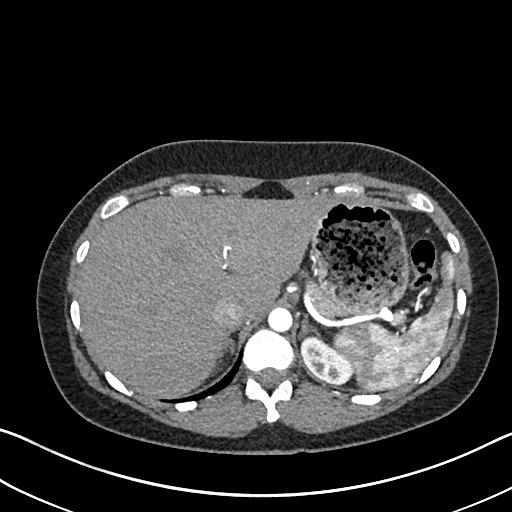
Axial slice 545 of 612 of a contrast-enhanced abdominal CT in the arterial phase (slice 1 is the lowest), 120 kVp, kernel I30f; 1.00 mm slice thickness and 0.703 mm pixels.
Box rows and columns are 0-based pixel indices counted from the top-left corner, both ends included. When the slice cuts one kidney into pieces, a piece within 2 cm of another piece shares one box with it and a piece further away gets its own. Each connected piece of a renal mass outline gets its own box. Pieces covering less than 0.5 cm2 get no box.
Left kidney, box rows 334–383, columns 300–352 (outlined area 1,740 px, about 8.6 cm2). No renal mass outline on this slice.